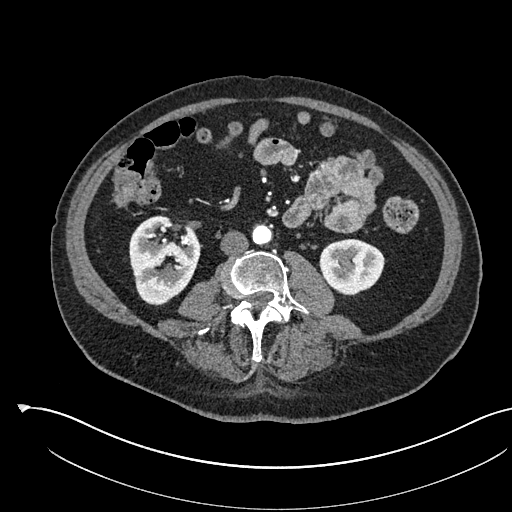
Axial slice 251 of 541 of a contrast-enhanced abdominal CT in the arterial phase (slice 1 is the lowest), 120 kVp, kernel I30f; 1.00 mm slice thickness and 0.834 mm pixels.
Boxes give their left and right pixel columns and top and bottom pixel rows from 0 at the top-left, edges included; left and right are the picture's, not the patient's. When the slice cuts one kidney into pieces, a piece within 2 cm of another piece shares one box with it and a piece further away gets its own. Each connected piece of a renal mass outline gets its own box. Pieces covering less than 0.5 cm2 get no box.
Two boxes on this slice (two kidney boxes), listed by box centre from the image's left to its right. (1) Right kidney in the box with left 129, top 215, right 200, bottom 305 (outlined area 4,643 px, about 32.3 cm2). (2) Left kidney in the box with left 319, top 238, right 384, bottom 295 (outlined area 2,857 px, about 19.9 cm2). This slice carries no renal mass outline.